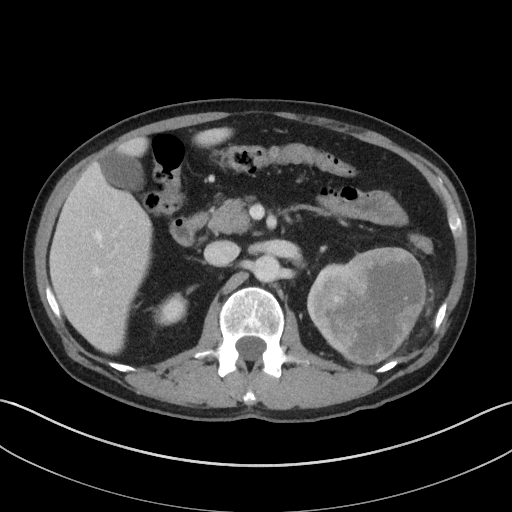
Abdominal CT with intravenous contrast, axial plane, 100 kVp, kernel I41f. Slice 71/143 from the bottom of the scan; thickness 5.00 mm; pixel size 0.734 mm.
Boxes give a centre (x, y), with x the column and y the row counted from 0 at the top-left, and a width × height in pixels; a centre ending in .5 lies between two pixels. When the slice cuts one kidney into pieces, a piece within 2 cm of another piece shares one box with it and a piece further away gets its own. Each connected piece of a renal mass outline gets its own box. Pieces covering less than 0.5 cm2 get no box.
Boxed on this slice (two kidney boxes and one renal mass box), listed by box centre from the image's left to its right: (1) Right kidney, box centre (170, 308.5), 35 × 34 pixels (outlined area 823 px, about 4.4 cm2). (2) Left kidney, box centre (333.5, 313.5), 56 × 102 pixels (outlined area 1,807 px, about 9.7 cm2). (3) Left renal mass in a box with centre (379, 305.5), 97 × 118 pixels (outlined area 8,678 px, about 46.8 cm2).